Arterial-phase contrast-enhanced abdominal CT, axial slice 424 of 719 (counted from the lowest slice); tube voltage 120 kVp, convolution kernel B20f; slices 1.00 mm thick, 0.766 mm per pixel.
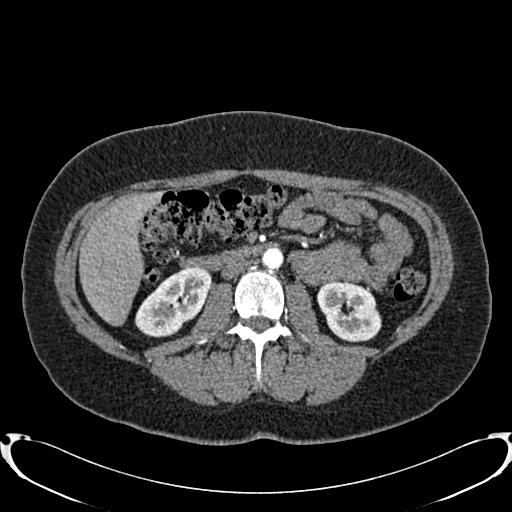
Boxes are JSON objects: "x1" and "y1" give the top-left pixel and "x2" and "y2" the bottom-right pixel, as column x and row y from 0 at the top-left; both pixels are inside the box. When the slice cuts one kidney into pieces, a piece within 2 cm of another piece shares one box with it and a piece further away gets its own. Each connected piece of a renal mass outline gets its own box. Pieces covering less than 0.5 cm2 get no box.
Boxed on this slice (two kidney boxes), listed by box centre from the image's left to its right: (1) Right kidney, box {"x1": 135, "y1": 266, "x2": 211, "y2": 337} (outlined area 3,491 px, about 20.5 cm2). (2) Box {"x1": 317, "y1": 280, "x2": 381, "y2": 341}: left kidney (outlined area 3,012 px, about 17.7 cm2). This slice carries no renal mass outline.